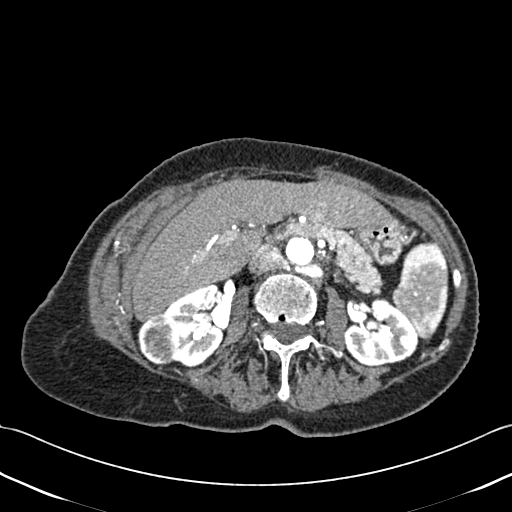
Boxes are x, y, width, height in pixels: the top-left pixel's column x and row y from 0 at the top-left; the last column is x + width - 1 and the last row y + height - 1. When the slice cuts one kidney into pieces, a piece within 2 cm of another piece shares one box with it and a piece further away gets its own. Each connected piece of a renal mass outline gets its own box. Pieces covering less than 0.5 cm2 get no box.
Contrast-enhanced abdominal CT, axial slice 247 of 433 (counted from the lowest slice); 1.00 mm thick, 0.672 mm per pixel. Three boxes on this slice (two kidney boxes and one renal mass box), listed by box centre from the image's left to its right. (1) Box x 137, y 313, width 42, height 53: right renal mass (outlined area 1,687 px, about 7.6 cm2). (2) Right kidney at x 163, y 285, width 62, height 83 (outlined area 3,342 px, about 15.1 cm2). (3) Box x 344, y 298, width 75, height 69: left kidney (outlined area 3,683 px, about 16.6 cm2).
Scan settings: 120 kVp, B30f reconstruction kernel.